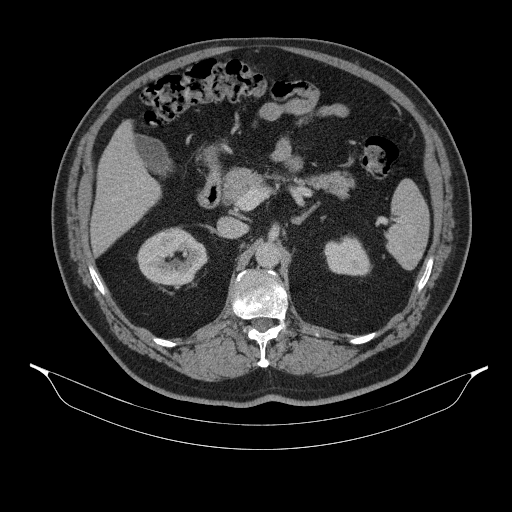
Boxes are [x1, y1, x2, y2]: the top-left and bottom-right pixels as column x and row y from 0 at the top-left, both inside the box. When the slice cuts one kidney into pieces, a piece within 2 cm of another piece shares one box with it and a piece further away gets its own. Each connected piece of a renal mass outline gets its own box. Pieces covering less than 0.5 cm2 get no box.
Contrast-enhanced abdominal CT, axial slice 220 of 314 (counted from the lowest slice); 2.50 mm thick, 0.934 mm per pixel. Two kidney boxes on this slice; by box centre, from the image's left to its right: (1) Right kidney, box [137, 228, 207, 288] (outlined area 3,067 px, about 26.7 cm2). (2) Left kidney at [323, 235, 372, 276] (outlined area 1,488 px, about 13.0 cm2). No renal mass is outlined on this slice.
Tube voltage 130 kVp; convolution kernel B31s.